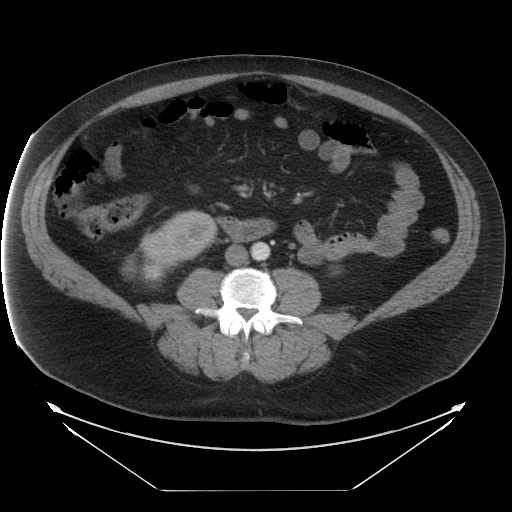
Axial slice 5 of 29 of a contrast-enhanced abdominal CT (slice 1 is the lowest), 120 kVp, kernel STANDARD; 5.00 mm slice thickness and 0.977 mm pixels.
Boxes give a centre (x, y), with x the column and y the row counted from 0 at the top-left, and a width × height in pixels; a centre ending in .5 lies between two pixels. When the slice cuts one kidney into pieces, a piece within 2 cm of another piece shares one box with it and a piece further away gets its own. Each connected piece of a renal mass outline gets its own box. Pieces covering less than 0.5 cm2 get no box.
Two boxes on this slice (one kidney box and one renal mass box), listed by box centre from the image's left to its right. (1) Right renal mass in a box with centre (145.5, 268.5), 50 × 40 pixels (outlined area 1,203 px, about 11.5 cm2). (2) Box centre (177, 240.5), 79 × 62 pixels: right kidney (outlined area 2,709 px, about 25.8 cm2).